Arterial-phase contrast-enhanced abdominal CT, axial slice 732 of 987 (counted from the lowest slice); tube voltage 120 kVp, convolution kernel I26f; slices 1.00 mm thick, 0.977 mm per pixel.
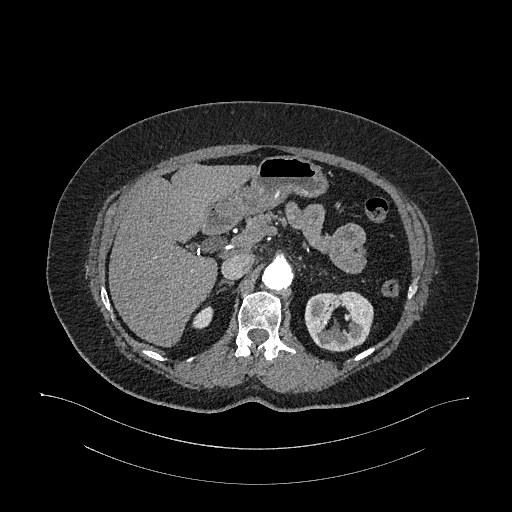
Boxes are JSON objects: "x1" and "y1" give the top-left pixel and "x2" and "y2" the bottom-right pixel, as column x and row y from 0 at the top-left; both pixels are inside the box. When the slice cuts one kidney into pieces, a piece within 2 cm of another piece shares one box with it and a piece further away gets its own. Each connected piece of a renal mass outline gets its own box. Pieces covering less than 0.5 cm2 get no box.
Two boxes on this slice (two kidney boxes), listed by box centre from the image's left to its right. (1) Box {"x1": 192, "y1": 306, "x2": 213, "y2": 329}: right kidney (outlined area 343 px, about 3.3 cm2). (2) Box {"x1": 304, "y1": 291, "x2": 373, "y2": 351}: left kidney (outlined area 3,170 px, about 30.2 cm2). This slice carries no renal mass outline.